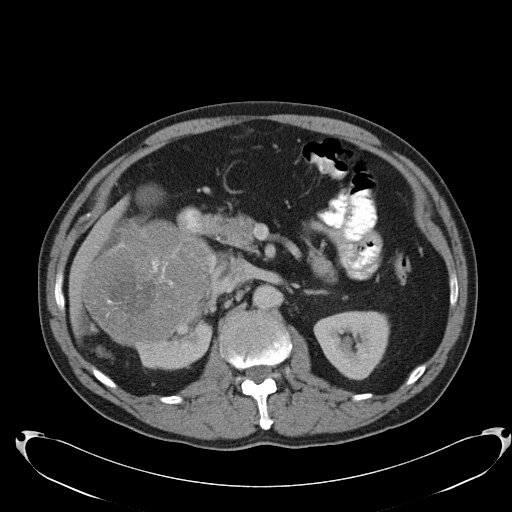
Contrast-enhanced abdominal CT, axial slice 69 of 103 (counted from the lowest slice); tube voltage 120 kVp, convolution kernel B31f; slices 5.00 mm thick, 0.801 mm per pixel.
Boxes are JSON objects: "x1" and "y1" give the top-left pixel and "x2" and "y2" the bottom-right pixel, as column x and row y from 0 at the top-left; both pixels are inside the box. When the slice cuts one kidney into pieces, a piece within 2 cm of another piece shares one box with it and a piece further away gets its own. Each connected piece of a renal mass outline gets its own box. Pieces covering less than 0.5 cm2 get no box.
Boxed on this slice (two kidney boxes and one renal mass box), listed by box centre from the image's left to its right: (1) Right renal mass, box {"x1": 81, "y1": 212, "x2": 220, "y2": 347} (outlined area 13,629 px, about 87.4 cm2). (2) Box {"x1": 134, "y1": 322, "x2": 212, "y2": 370}: right kidney (outlined area 2,203 px, about 14.1 cm2). (3) Left kidney, box {"x1": 313, "y1": 311, "x2": 390, "y2": 380} (outlined area 3,977 px, about 25.5 cm2).